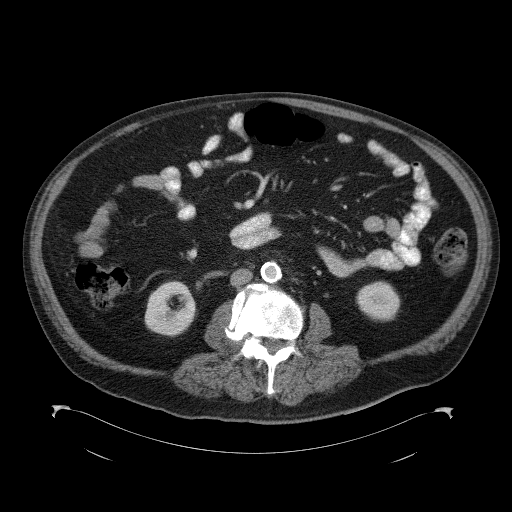
One axial slice (49 of 98, counting up from the lowest) of a contrast-enhanced abdominal CT acquired with 120 kVp, kernel B41f; each pixel is 0.965 mm and the slice is 5.00 mm thick.
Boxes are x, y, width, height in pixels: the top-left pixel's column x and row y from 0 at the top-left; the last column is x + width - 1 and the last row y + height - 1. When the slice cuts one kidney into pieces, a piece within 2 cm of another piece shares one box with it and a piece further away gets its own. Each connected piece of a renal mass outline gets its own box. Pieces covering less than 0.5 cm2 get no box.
Two boxes on this slice (two kidney boxes), listed by box centre from the image's left to its right. (1) Box x 144, y 280, width 53, height 57: right kidney (outlined area 2,195 px, about 20.4 cm2). (2) Left kidney at x 356, y 281, width 45, height 41 (outlined area 1,380 px, about 12.8 cm2). No renal mass is outlined on this slice.